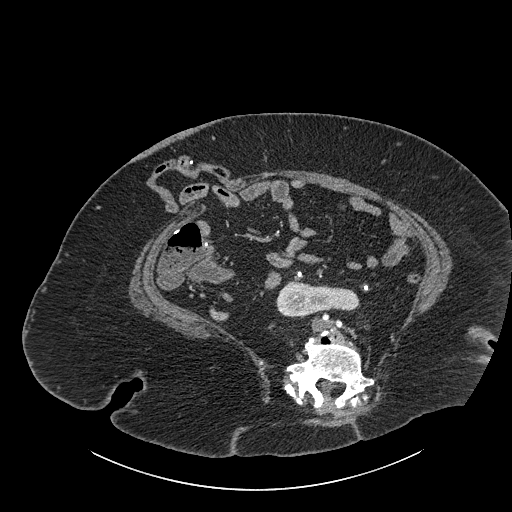
One axial slice (408 of 834, counting up from the lowest) of a contrast-enhanced abdominal CT acquired with 140 kVp, kernel I30f; each pixel is 0.977 mm and the slice is 1.00 mm thick.
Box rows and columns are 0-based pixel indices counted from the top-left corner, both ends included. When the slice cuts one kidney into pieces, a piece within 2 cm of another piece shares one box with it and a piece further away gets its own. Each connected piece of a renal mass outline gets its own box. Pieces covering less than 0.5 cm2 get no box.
Kidney crossing the body midline, box rows 281–317, columns 276–359 (outlined area 2,243 px, about 21.4 cm2). This slice carries no renal mass outline.